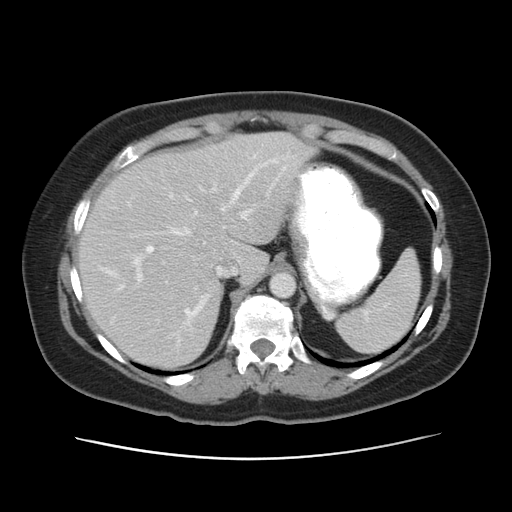
Arterial-phase contrast-enhanced abdominal CT, axial slice 43 of 53 (counted from the lowest slice); tube voltage 120 kVp, convolution kernel STANDARD; slices 5.00 mm thick, 0.703 mm per pixel.
This slice carries no outline: it lies beyond the outlined kidneys and beyond every outlined renal mass. Other organs are not outlined in this scan.